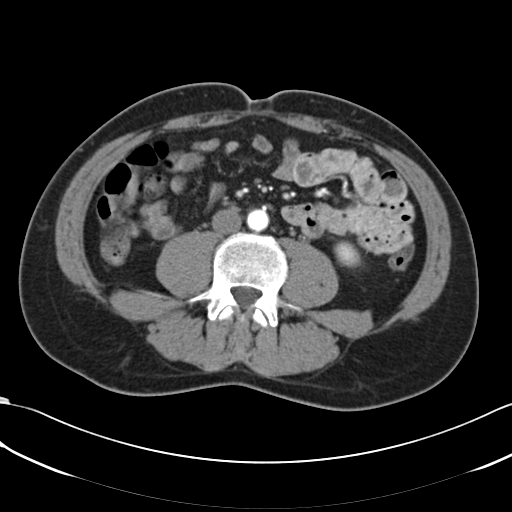
Abdominal CT with intravenous contrast, arterial phase, axial plane, 120 kVp, kernel B30f. Slice 26/66 from the bottom of the scan; thickness 5.00 mm; pixel size 0.678 mm.
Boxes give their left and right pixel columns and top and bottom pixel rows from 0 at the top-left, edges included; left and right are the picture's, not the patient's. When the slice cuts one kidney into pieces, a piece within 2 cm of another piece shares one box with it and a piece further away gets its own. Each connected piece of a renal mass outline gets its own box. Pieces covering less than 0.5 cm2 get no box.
Left kidney in the box with left 333, top 240, right 361, bottom 267 (outlined area 582 px, about 2.7 cm2). This slice carries no renal mass outline.